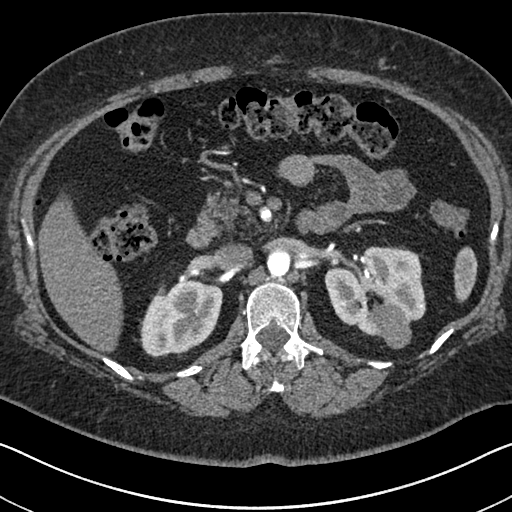
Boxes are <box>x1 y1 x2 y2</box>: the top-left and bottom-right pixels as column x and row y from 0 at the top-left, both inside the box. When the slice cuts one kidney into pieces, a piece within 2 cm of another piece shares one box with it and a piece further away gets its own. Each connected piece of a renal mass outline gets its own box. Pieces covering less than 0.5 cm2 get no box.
Arterial-phase contrast-enhanced abdominal CT, axial slice 433 of 591 (counted from the lowest slice); 1.00 mm thick, 0.703 mm per pixel. Boxed on this slice (two kidney boxes and one renal mass box), listed by box centre from the image's left to its right: (1) Right kidney: <box>140 281 222 357</box> (outlined area 4,753 px, about 23.5 cm2). (2) Left kidney at <box>324 246 426 336</box> (outlined area 5,886 px, about 29.1 cm2). (3) At <box>368 304 411 348</box>: left renal mass (outlined area 1,365 px, about 6.7 cm2).
Acquired at 140 kVp and reconstructed with the I30f kernel.